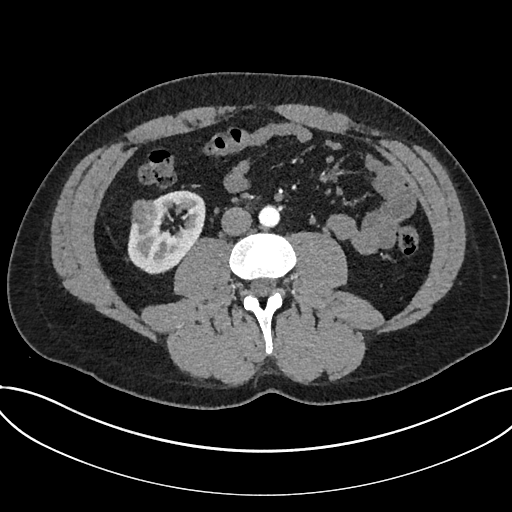
Axial slice 322 of 735 of a contrast-enhanced abdominal CT in the arterial phase (slice 1 is the lowest), 120 kVp, kernel I30f; 1.00 mm slice thickness and 0.789 mm pixels.
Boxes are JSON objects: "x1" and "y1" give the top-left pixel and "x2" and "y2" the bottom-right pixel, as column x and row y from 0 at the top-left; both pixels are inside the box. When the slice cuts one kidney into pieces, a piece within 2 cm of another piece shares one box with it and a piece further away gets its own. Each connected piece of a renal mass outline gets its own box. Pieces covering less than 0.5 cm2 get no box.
Boxed on this slice (one kidney box and one renal mass box), listed by box centre from the image's left to its right: (1) Renal mass, box {"x1": 131, "y1": 199, "x2": 161, "y2": 228} (outlined area 747 px, about 4.7 cm2). (2) Kidney, box {"x1": 128, "y1": 190, "x2": 205, "y2": 274} (outlined area 3,946 px, about 24.6 cm2).